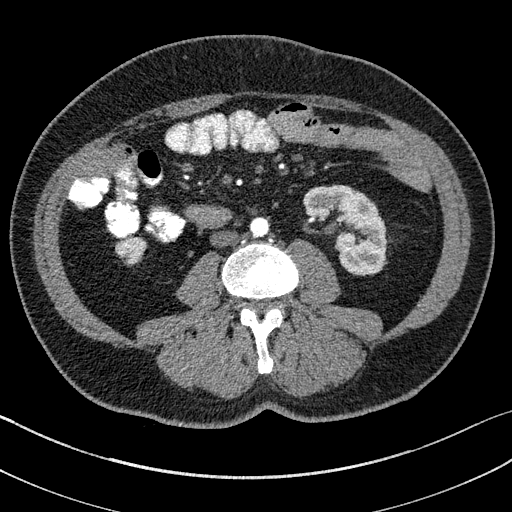
One axial slice (56 of 195, counting up from the lowest) of an arterial-phase abdominal CT acquired with 100 kVp, kernel I31f; each pixel is 0.707 mm and the slice is 1.50 mm thick.
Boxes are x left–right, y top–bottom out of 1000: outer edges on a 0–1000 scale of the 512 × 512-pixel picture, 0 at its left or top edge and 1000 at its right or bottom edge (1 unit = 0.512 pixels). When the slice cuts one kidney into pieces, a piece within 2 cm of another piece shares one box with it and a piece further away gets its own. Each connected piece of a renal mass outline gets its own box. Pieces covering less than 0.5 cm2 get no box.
Two kidney boxes on this slice; by box centre, from the image's left to its right: (1) Box x 225–287, y 461–518 out of 1000: right kidney (outlined area 660 px, about 3.3 cm2). (2) Left kidney, box x 592–756, y 361–539 out of 1000 (outlined area 4,718 px, about 23.6 cm2). No renal mass is outlined on this slice.